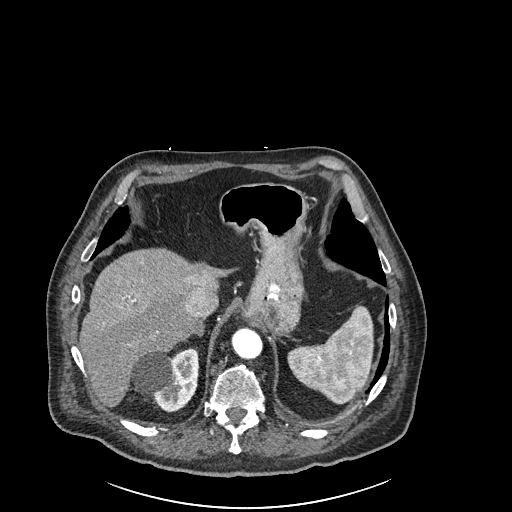
Abdominal CT with intravenous contrast, arterial phase, axial plane, 120 kVp, kernel I30f. Slice 196/261 from the bottom of the scan; thickness 2.00 mm; pixel size 0.939 mm.
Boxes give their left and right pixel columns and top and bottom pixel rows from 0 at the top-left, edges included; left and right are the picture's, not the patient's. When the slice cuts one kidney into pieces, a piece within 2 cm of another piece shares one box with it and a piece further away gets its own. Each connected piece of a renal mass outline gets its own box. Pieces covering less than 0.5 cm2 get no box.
Right kidney in the box with left 131, top 347, right 198, bottom 411 (outlined area 3,140 px, about 27.7 cm2). No renal mass is outlined on this slice.